One axial slice (356 of 439, counting up from the lowest) of a contrast-enhanced abdominal CT acquired with 100 kVp, kernel I40f; each pixel is 0.850 mm and the slice is 2.00 mm thick.
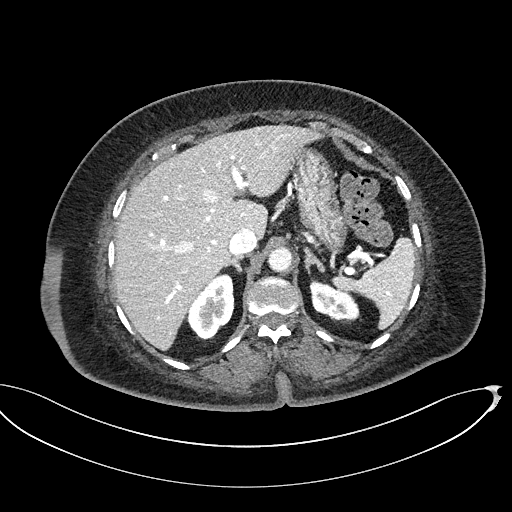
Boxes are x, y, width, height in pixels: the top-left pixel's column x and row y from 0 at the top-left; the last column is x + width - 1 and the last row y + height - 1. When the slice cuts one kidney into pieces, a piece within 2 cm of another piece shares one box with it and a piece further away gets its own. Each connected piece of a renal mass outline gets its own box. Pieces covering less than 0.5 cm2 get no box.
Two kidney boxes on this slice; by box centre, from the image's left to its right: (1) Right kidney at x 187, y 273, width 48, height 68 (outlined area 2,197 px, about 15.9 cm2). (2) Box x 309, y 280, width 51, height 44: left kidney (outlined area 1,470 px, about 10.6 cm2). No renal mass outline on this slice.